Abdominal CT with intravenous contrast, arterial phase, axial plane, 120 kVp, kernel I30f. Slice 419/738 from the bottom of the scan; thickness 1.00 mm; pixel size 0.789 mm.
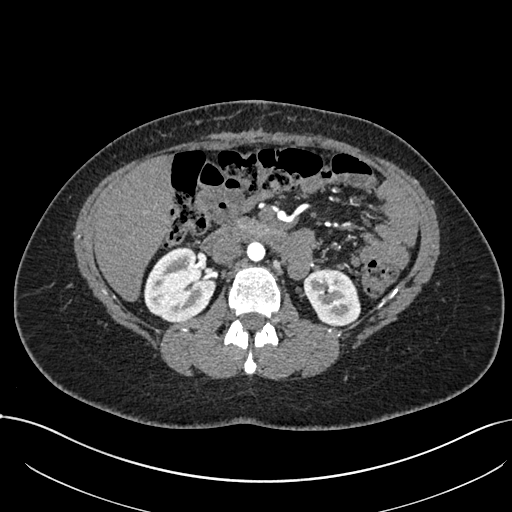
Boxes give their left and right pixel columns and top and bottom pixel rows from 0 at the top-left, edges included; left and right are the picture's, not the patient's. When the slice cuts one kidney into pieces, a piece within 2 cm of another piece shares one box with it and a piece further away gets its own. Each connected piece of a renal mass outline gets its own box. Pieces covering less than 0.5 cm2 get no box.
Two boxes on this slice (two kidney boxes), listed by box centre from the image's left to its right. (1) Right kidney in the box with left 143, top 247, right 216, bottom 321 (outlined area 4,013 px, about 25.0 cm2). (2) Left kidney, the box with left 303, top 268, right 360, bottom 325 (outlined area 2,525 px, about 15.7 cm2). This slice carries no renal mass outline.